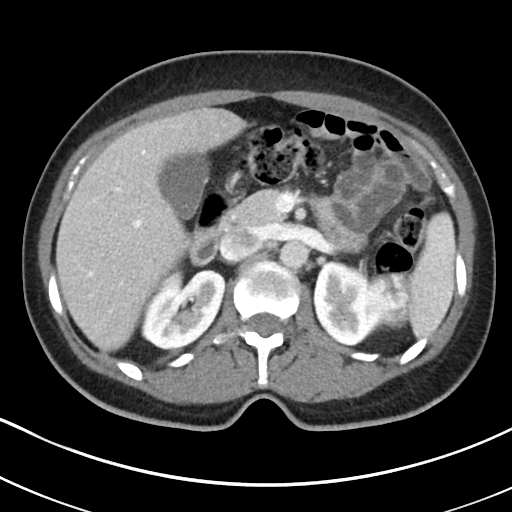
One axial slice (126 of 178, counting up from the lowest) of a contrast-enhanced abdominal CT acquired with 100 kVp, kernel I30f; each pixel is 0.650 mm and the slice is 5.00 mm thick.
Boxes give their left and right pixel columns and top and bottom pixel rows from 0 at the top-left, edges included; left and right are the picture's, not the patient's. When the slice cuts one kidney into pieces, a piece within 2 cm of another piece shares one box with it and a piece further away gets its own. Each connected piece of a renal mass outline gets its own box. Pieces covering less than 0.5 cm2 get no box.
Three boxes on this slice (two kidney boxes and one renal mass box), listed by box centre from the image's left to its right. (1) Right kidney, the box with left 141, top 269, right 225, bottom 350 (outlined area 4,913 px, about 20.8 cm2). (2) Left kidney in the box with left 312, top 260, right 388, bottom 347 (outlined area 4,143 px, about 17.5 cm2). (3) Left renal mass, the box with left 367, top 273, right 414, bottom 329 (outlined area 2,238 px, about 9.5 cm2).